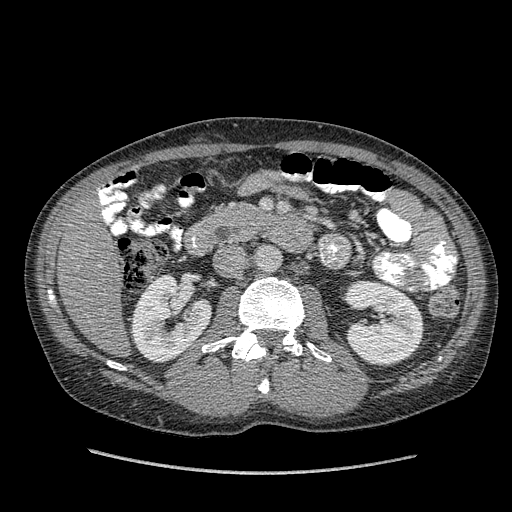
One axial slice (206 of 349, counting up from the lowest) of an arterial-phase abdominal CT acquired with 120 kVp, kernel STANDARD; each pixel is 0.742 mm and the slice is 1.25 mm thick.
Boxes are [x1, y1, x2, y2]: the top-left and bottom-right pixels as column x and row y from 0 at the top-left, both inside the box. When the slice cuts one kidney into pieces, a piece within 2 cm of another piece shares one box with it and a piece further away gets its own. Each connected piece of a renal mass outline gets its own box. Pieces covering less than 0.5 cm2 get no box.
Two boxes on this slice (two kidney boxes), listed by box centre from the image's left to its right. (1) Right kidney at [130, 273, 212, 363] (outlined area 5,105 px, about 28.1 cm2). (2) Left kidney at [343, 281, 424, 366] (outlined area 5,174 px, about 28.5 cm2). No renal mass outline on this slice.